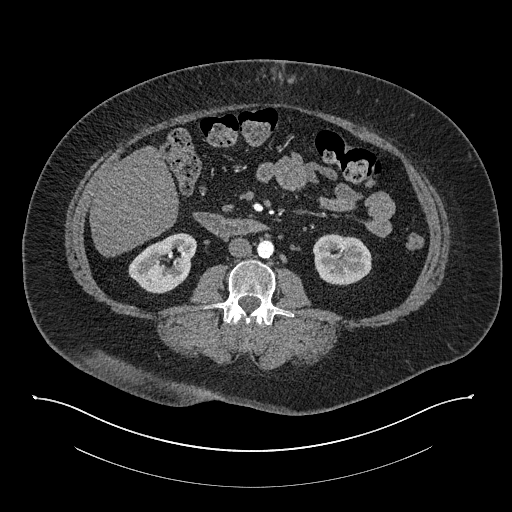
Abdominal CT with intravenous contrast, arterial phase, axial plane, 140 kVp, kernel I30f. Slice 400/673 from the bottom of the scan; thickness 1.00 mm; pixel size 0.957 mm.
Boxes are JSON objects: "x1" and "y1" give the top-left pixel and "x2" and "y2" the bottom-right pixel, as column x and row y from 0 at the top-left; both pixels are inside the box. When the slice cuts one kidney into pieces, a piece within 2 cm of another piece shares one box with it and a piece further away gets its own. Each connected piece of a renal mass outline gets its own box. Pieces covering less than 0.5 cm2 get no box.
Two boxes on this slice (two kidney boxes), listed by box centre from the image's left to its right. (1) Box {"x1": 128, "y1": 233, "x2": 196, "y2": 293}: right kidney (outlined area 2,801 px, about 25.7 cm2). (2) Box {"x1": 312, "y1": 233, "x2": 371, "y2": 285}: left kidney (outlined area 2,459 px, about 22.5 cm2). This slice carries no renal mass outline.